Contrast-enhanced abdominal CT, axial slice 572 of 787 (counted from the lowest slice); tube voltage 140 kVp, convolution kernel I30f; slices 1.00 mm thick, 0.910 mm per pixel.
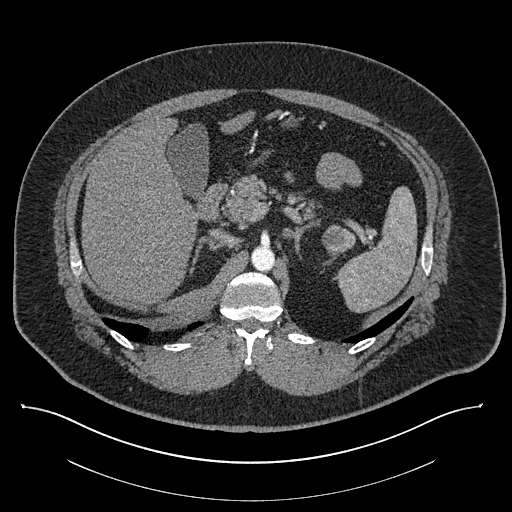
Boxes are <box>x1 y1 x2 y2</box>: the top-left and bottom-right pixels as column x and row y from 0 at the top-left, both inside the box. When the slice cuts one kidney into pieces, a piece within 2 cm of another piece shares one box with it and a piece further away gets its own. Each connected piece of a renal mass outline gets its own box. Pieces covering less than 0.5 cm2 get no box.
Two boxes on this slice (one kidney box and one renal mass box), listed by box centre from the image's left to its right. (1) Left kidney: <box>327 250 343 260</box> (outlined area 80 px, about 0.7 cm2). (2) Left renal mass at <box>322 224 355 251</box> (outlined area 713 px, about 5.9 cm2).